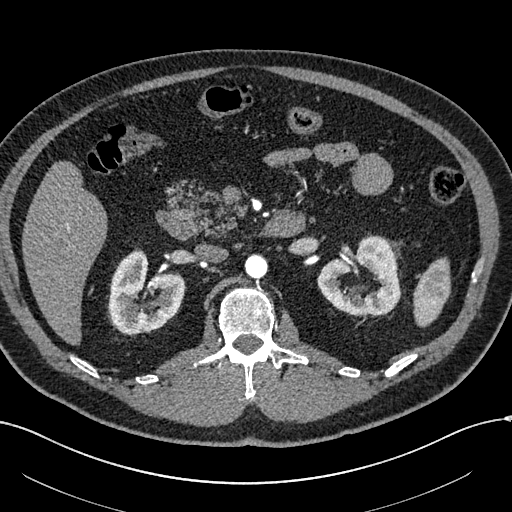
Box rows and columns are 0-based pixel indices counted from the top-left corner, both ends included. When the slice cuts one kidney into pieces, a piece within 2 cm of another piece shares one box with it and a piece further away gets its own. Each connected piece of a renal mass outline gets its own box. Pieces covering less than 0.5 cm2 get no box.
Slice 364/602 of a contrast-enhanced abdominal CT in the arterial phase, counting up from the lowest; pixel size 0.799 mm, slice thickness 1.00 mm. Two boxes on this slice (two kidney boxes), listed by box centre from the image's left to its right. (1) Box rows 248–334, columns 108–184: right kidney (outlined area 4,571 px, about 29.2 cm2). (2) Left kidney at rows 235–315, columns 317–400 (outlined area 4,527 px, about 28.9 cm2). This slice carries no renal mass outline.
Scan settings: 120 kVp, I30f reconstruction kernel.